One axial slice (208 of 383, counting up from the lowest) of an arterial-phase abdominal CT acquired with 100 kVp, kernel SOFT; each pixel is 0.898 mm and the slice is 1.25 mm thick.
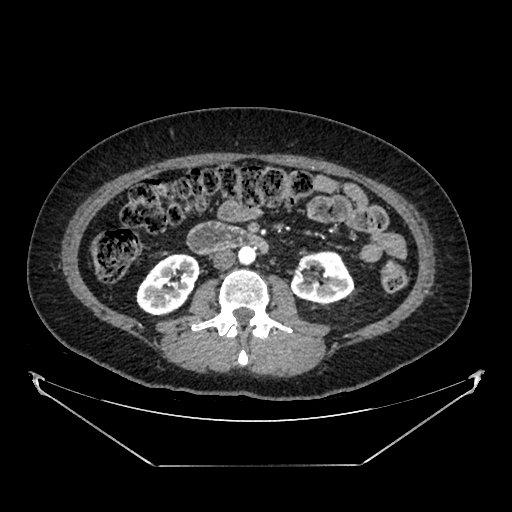
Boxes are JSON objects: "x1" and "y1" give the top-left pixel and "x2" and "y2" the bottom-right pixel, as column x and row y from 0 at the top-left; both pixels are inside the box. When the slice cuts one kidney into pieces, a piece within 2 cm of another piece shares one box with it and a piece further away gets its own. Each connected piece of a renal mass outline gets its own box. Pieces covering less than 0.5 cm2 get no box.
Two boxes on this slice (two kidney boxes), listed by box centre from the image's left to its right. (1) Right kidney, box {"x1": 136, "y1": 253, "x2": 201, "y2": 315} (outlined area 2,818 px, about 22.7 cm2). (2) Left kidney, box {"x1": 290, "y1": 250, "x2": 353, "y2": 303} (outlined area 2,562 px, about 20.7 cm2). No renal mass is outlined on this slice.